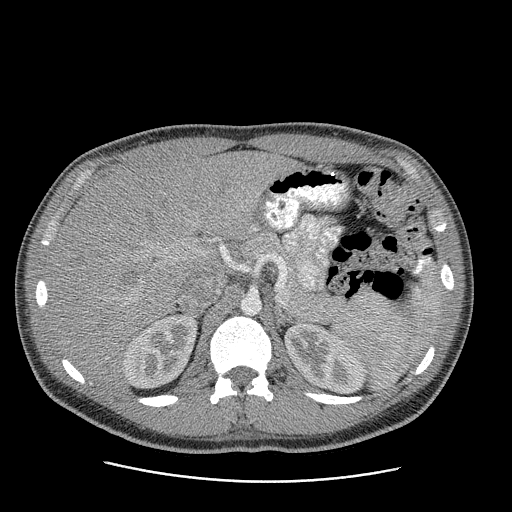
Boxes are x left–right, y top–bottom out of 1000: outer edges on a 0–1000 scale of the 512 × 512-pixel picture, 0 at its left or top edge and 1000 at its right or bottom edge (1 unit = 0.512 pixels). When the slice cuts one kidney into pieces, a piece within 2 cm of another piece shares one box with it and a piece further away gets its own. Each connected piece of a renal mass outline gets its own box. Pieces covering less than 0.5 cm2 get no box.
Arterial-phase contrast-enhanced abdominal CT, axial slice 164 of 199 (counted from the lowest slice); 2.50 mm thick, 0.789 mm per pixel. Two boxes on this slice (two kidney boxes), listed by box centre from the image's left to its right. (1) Right kidney, box x 238–389, y 613–762 out of 1000 (outlined area 4,163 px, about 25.9 cm2). (2) Box x 555–715, y 631–770 out of 1000: left kidney (outlined area 3,952 px, about 24.6 cm2). This slice carries no renal mass outline.
Acquired at 120 kVp and reconstructed with the STANDARD kernel.